Arterial-phase contrast-enhanced abdominal CT, axial slice 239 of 304 (counted from the lowest slice); tube voltage 100 kVp, convolution kernel I30f; slices 2.00 mm thick, 0.809 mm per pixel.
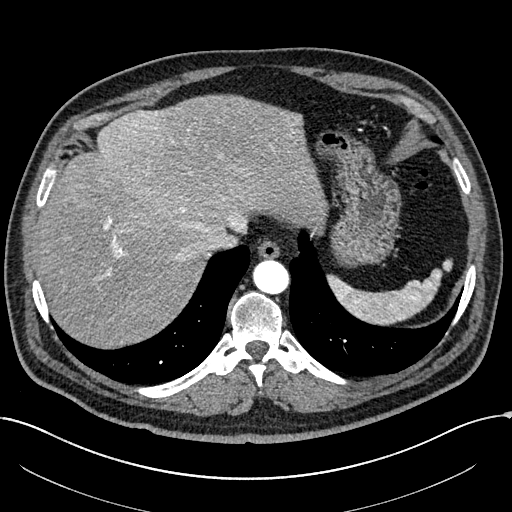
Outside the outlined region: no kidney outline and no renal mass outline on this slice. The scan's outlines cover only kidneys and renal masses; no other organ is outlined.